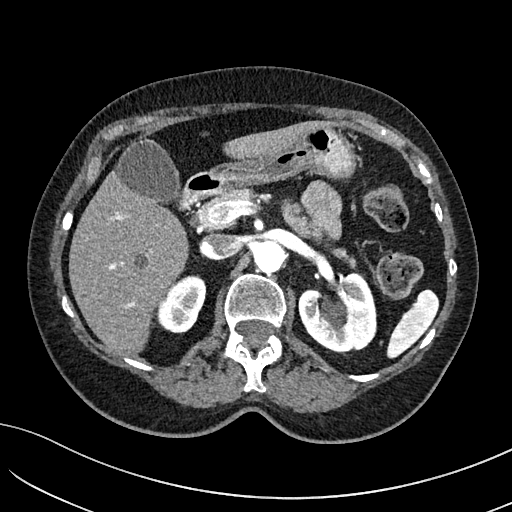
One axial slice (94 of 234, counting up from the lowest) of an arterial-phase abdominal CT acquired with 100 kVp, kernel I40f; each pixel is 0.699 mm and the slice is 2.00 mm thick.
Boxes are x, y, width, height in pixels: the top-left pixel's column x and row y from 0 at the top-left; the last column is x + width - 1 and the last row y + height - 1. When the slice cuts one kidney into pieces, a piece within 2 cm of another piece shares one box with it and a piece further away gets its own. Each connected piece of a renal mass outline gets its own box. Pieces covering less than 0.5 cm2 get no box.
Two boxes on this slice (two kidney boxes), listed by box centre from the image's left to its right. (1) Right kidney, box x 157, y 275, width 50, height 59 (outlined area 2,057 px, about 10.1 cm2). (2) Left kidney, box x 298, y 273, width 79, height 82 (outlined area 4,625 px, about 22.6 cm2). No renal mass is outlined on this slice.